Abdominal CT with intravenous contrast, arterial phase, axial plane, 120 kVp, kernel I30f. Slice 314/683 from the bottom of the scan; thickness 1.00 mm; pixel size 0.738 mm.
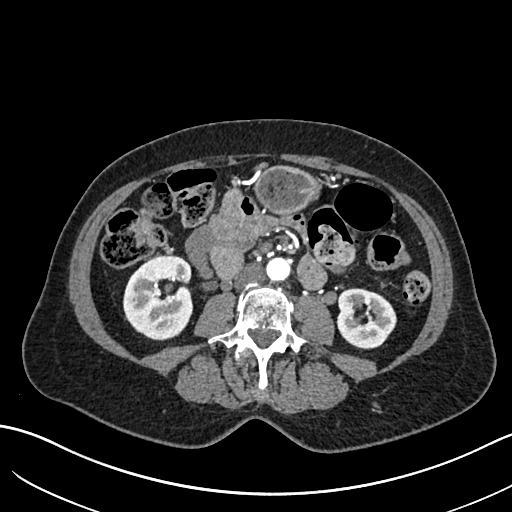
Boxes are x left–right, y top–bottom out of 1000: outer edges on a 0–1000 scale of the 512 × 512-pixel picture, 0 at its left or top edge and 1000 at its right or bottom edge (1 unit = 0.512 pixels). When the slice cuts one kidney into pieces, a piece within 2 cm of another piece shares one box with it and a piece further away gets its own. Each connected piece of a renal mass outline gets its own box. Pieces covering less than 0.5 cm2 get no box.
Two kidney boxes on this slice; by box centre, from the image's left to its right: (1) Box x 240–377, y 498–666 out of 1000: right kidney (outlined area 4,716 px, about 25.7 cm2). (2) Box x 660–775, y 563–684 out of 1000: left kidney (outlined area 2,807 px, about 15.3 cm2). No renal mass is outlined on this slice.